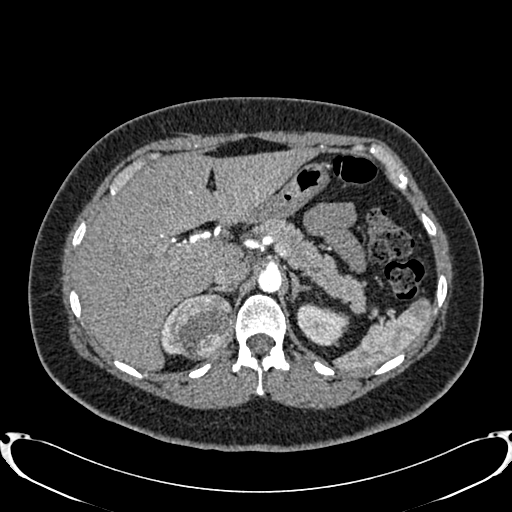
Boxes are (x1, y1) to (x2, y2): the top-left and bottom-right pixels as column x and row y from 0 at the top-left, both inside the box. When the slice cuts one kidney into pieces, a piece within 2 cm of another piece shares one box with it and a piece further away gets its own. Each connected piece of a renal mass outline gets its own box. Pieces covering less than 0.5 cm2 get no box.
Slice 583/719 of a contrast-enhanced abdominal CT in the arterial phase, counting up from the lowest; pixel size 0.766 mm, slice thickness 1.00 mm. Three boxes on this slice (two kidney boxes and one renal mass box), listed by box centre from the image's left to its right. (1) Box (160, 296) to (190, 355): right kidney (outlined area 486 px, about 2.8 cm2). (2) Right renal mass, box (170, 294) to (234, 360) (outlined area 3,374 px, about 19.8 cm2). (3) Left kidney from (296, 302) to (349, 345) (outlined area 1,630 px, about 9.6 cm2).
Tube voltage 120 kVp; convolution kernel B20f.